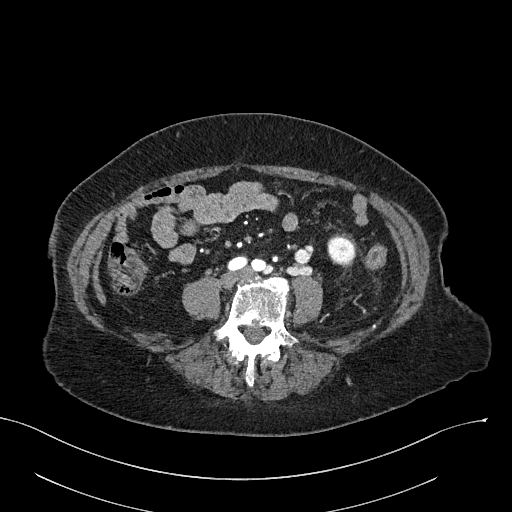
Arterial-phase contrast-enhanced abdominal CT, axial slice 69 of 316 (counted from the lowest slice); tube voltage 100 kVp, convolution kernel I40f; slices 2.00 mm thick, 0.840 mm per pixel.
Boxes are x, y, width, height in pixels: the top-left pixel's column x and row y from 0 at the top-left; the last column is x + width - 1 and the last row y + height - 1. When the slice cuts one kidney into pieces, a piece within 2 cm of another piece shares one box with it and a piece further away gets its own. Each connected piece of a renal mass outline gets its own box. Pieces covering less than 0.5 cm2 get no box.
Left kidney at x 328, y 236, width 28, height 30 (outlined area 687 px, about 4.8 cm2). No renal mass outline on this slice.